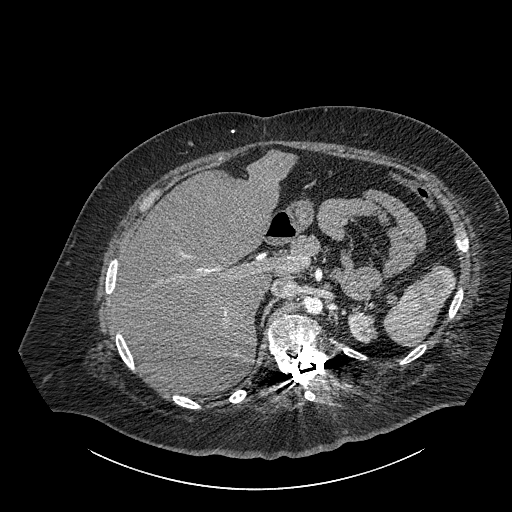
Contrast-enhanced abdominal CT, axial slice 638 of 834 (counted from the lowest slice); tube voltage 140 kVp, convolution kernel I30f; slices 1.00 mm thick, 0.977 mm per pixel.
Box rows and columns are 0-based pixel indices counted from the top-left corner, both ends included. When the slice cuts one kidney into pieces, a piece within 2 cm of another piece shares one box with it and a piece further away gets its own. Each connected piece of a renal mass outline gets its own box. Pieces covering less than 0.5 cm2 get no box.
Box rows 310–343, columns 348–377: left part of the midline-crossing kidney (outlined area 742 px, about 7.1 cm2). This slice carries no renal mass outline.